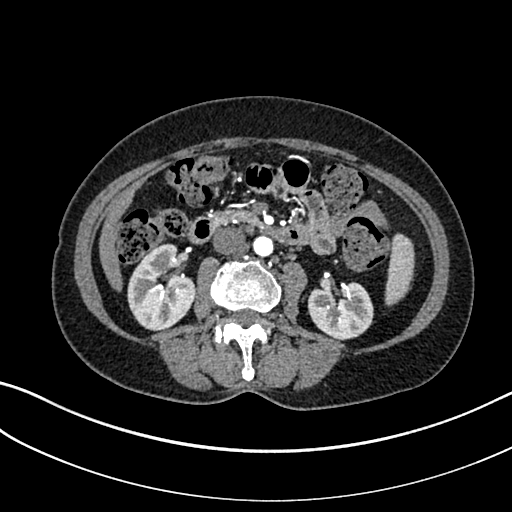
Axial slice 138 of 325 of a contrast-enhanced abdominal CT in the arterial phase (slice 1 is the lowest), 100 kVp, kernel I30f; 1.00 mm slice thickness and 0.703 mm pixels.
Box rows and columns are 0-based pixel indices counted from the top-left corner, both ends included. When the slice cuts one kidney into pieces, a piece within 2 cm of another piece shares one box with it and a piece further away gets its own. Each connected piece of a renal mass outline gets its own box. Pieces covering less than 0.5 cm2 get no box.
Two boxes on this slice (two kidney boxes), listed by box centre from the image's left to its right. (1) Right kidney, box rows 243–331, columns 127–196 (outlined area 4,341 px, about 21.5 cm2). (2) Left kidney at rows 281–339, columns 308–373 (outlined area 3,009 px, about 14.9 cm2). No renal mass outline on this slice.